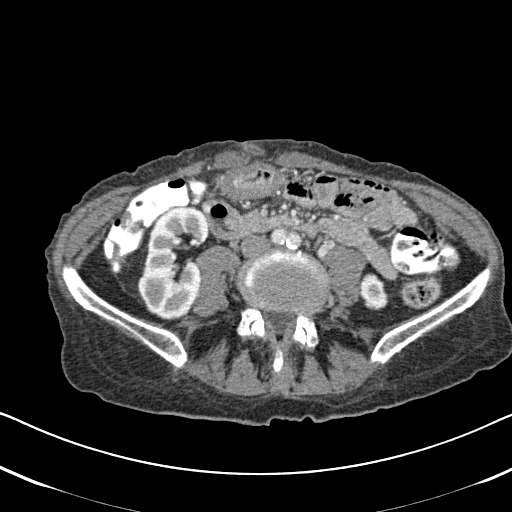
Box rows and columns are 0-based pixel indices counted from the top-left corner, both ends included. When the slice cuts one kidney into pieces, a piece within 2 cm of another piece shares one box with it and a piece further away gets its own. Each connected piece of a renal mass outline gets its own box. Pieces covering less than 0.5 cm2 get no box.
Arterial-phase contrast-enhanced abdominal CT, axial slice 239 of 620 (counted from the lowest slice); 2.00 mm thick, 0.637 mm per pixel. Two kidney boxes on this slice; by box centre, from the image's left to its right: (1) Right kidney, box rows 206–320, columns 137–210 (outlined area 5,904 px, about 23.9 cm2). (2) Left kidney at rows 273–310, columns 359–389 (outlined area 830 px, about 3.4 cm2). This slice carries no renal mass outline.
Acquired at 120 kVp and reconstructed with the B31f kernel.